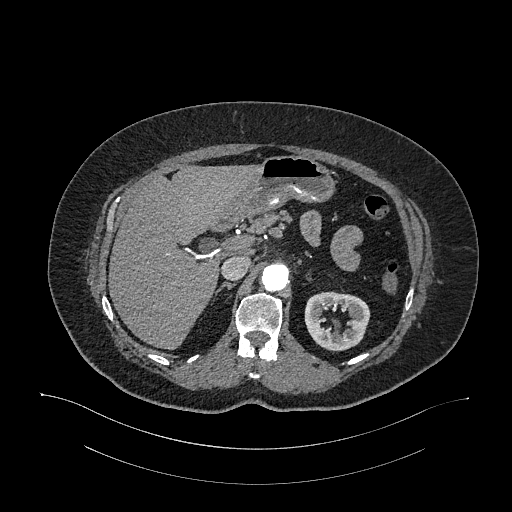
Arterial-phase contrast-enhanced abdominal CT, axial slice 743 of 987 (counted from the lowest slice); tube voltage 120 kVp, convolution kernel I26f; slices 1.00 mm thick, 0.977 mm per pixel.
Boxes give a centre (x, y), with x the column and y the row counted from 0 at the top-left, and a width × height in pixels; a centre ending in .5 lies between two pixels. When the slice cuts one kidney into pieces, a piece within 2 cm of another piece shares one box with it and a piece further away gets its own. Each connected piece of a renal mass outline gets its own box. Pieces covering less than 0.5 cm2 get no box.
Left kidney in a box with centre (337, 321), 67 × 61 pixels (outlined area 2,839 px, about 27.1 cm2). This slice carries no renal mass outline.